One axial slice (77 of 102, counting up from the lowest) of a contrast-enhanced abdominal CT acquired with 120 kVp, kernel B41f; each pixel is 0.807 mm and the slice is 5.00 mm thick.
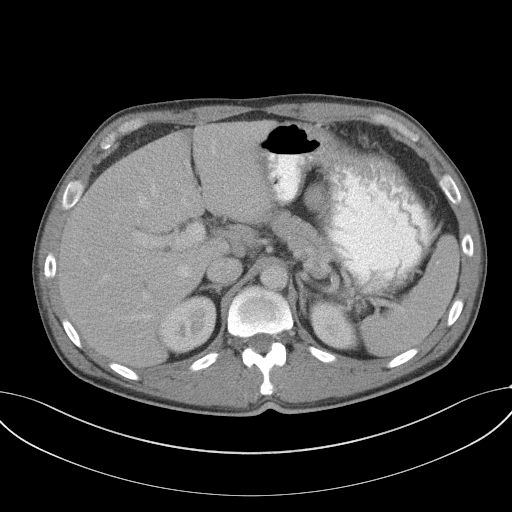
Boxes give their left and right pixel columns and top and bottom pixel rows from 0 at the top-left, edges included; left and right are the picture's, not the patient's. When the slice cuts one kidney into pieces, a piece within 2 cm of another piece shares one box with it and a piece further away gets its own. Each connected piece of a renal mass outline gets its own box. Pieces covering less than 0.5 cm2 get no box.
Boxed on this slice (two kidney boxes), listed by box centre from the image's left to its right: (1) Right kidney, the box with left 157, top 294, right 216, bottom 353 (outlined area 2,522 px, about 16.4 cm2). (2) Left kidney, the box with left 310, top 300, right 362, bottom 349 (outlined area 1,807 px, about 11.8 cm2). No renal mass is outlined on this slice.